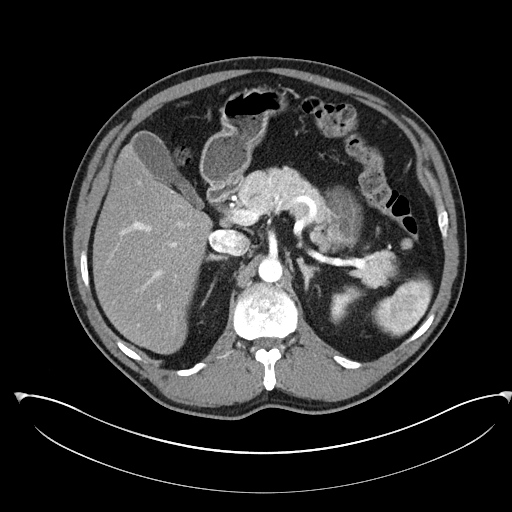
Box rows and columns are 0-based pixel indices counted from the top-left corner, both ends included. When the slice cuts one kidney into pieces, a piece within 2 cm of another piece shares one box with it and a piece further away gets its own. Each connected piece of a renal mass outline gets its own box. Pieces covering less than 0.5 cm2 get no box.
This is axial slice 156 of 302 (slice 1 is the lowest) of an arterial-phase abdominal CT with contrast; each pixel is 0.875 mm and the slice is 5.00 mm thick. Left kidney at rows 285–324, columns 330–365 (outlined area 752 px, about 5.8 cm2). No renal mass is outlined on this slice.
Scan settings: 100 kVp, I30f reconstruction kernel.